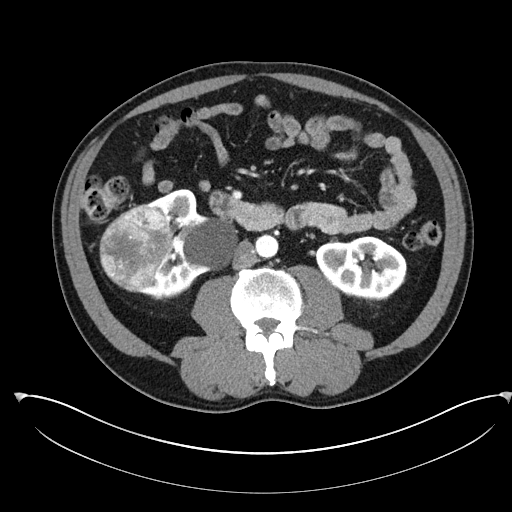
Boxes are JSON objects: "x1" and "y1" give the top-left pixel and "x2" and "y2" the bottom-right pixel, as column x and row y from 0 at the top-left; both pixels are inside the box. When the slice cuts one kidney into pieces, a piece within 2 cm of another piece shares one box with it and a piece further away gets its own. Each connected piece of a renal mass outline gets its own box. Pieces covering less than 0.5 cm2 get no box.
Arterial-phase contrast-enhanced abdominal CT, axial slice 123 of 302 (counted from the lowest slice); 5.00 mm thick, 0.875 mm per pixel. Boxed on this slice (two kidney boxes and one renal mass box), listed by box centre from the image's left to its right: (1) Box {"x1": 99, "y1": 204, "x2": 172, "y2": 292}: right renal mass (outlined area 4,676 px, about 35.8 cm2). (2) Right kidney at {"x1": 140, "y1": 189, "x2": 238, "y2": 299} (outlined area 5,656 px, about 43.3 cm2). (3) Left kidney at {"x1": 315, "y1": 236, "x2": 406, "y2": 300} (outlined area 4,472 px, about 34.2 cm2).
Scan settings: 100 kVp, I30f reconstruction kernel.